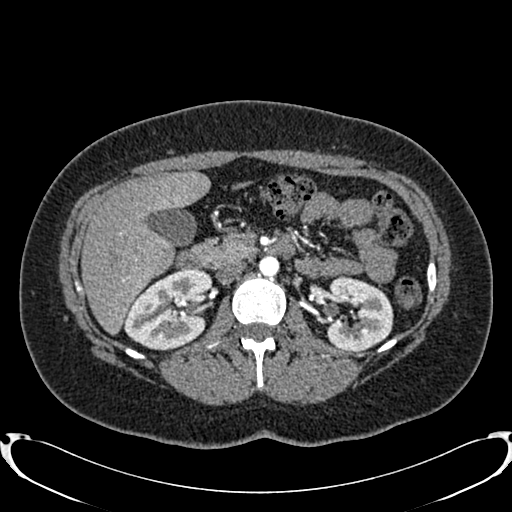
Axial slice 483 of 719 of a contrast-enhanced abdominal CT in the arterial phase (slice 1 is the lowest), 120 kVp, kernel B20f; 1.00 mm slice thickness and 0.766 mm pixels.
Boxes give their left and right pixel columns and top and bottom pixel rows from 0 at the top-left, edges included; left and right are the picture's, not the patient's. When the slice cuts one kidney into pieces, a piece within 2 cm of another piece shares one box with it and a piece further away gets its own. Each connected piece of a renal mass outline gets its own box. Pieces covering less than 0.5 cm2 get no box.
Boxed on this slice (two kidney boxes), listed by box centre from the image's left to its right: (1) Box with left 124, top 268, right 212, bottom 350: right kidney (outlined area 5,292 px, about 31.0 cm2). (2) Box with left 326, top 275, right 393, bottom 351: left kidney (outlined area 3,926 px, about 23.0 cm2). No renal mass is outlined on this slice.